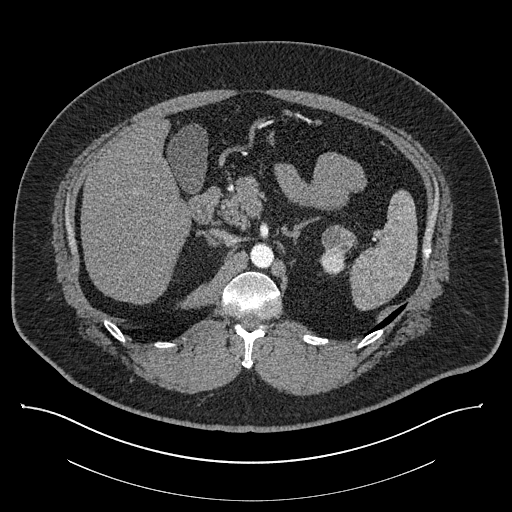
Abdominal CT with intravenous contrast, axial plane, 140 kVp, kernel I30f. Slice 561/787 from the bottom of the scan; thickness 1.00 mm; pixel size 0.910 mm.
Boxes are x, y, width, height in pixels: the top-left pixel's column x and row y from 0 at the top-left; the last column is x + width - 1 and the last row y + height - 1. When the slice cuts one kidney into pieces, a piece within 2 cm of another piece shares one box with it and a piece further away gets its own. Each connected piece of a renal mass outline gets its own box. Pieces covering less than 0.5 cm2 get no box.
Two boxes on this slice (one kidney box and one renal mass box), listed by box centre from the image's left to its right. (1) Left kidney, box x 319, y 250, width 27, height 25 (outlined area 458 px, about 3.8 cm2). (2) Box x 321, y 225, width 34, height 30: left renal mass (outlined area 776 px, about 6.4 cm2).